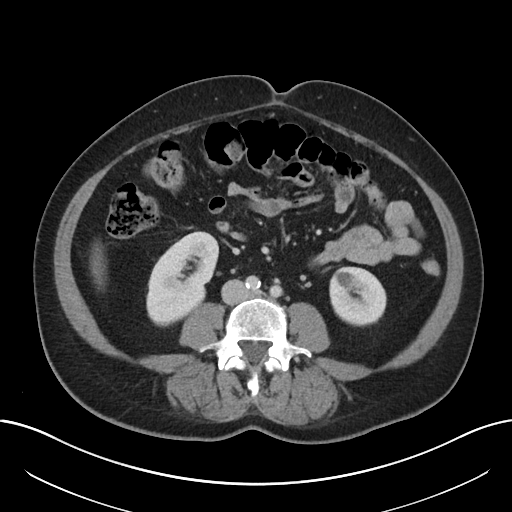
Contrast-enhanced abdominal CT, axial slice 97 of 197 (counted from the lowest slice); tube voltage 120 kVp, convolution kernel I30f; slices 5.00 mm thick, 0.791 mm per pixel.
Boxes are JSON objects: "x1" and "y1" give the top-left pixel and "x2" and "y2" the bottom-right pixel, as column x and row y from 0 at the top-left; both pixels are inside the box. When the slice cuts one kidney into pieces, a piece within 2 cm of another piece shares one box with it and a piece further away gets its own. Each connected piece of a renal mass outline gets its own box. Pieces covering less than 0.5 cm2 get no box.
Two boxes on this slice (two kidney boxes), listed by box centre from the image's left to its right. (1) Right kidney, box {"x1": 146, "y1": 231, "x2": 219, "y2": 326} (outlined area 4,802 px, about 30.0 cm2). (2) Left kidney, box {"x1": 329, "y1": 266, "x2": 386, "y2": 326} (outlined area 2,795 px, about 17.5 cm2). No renal mass is outlined on this slice.